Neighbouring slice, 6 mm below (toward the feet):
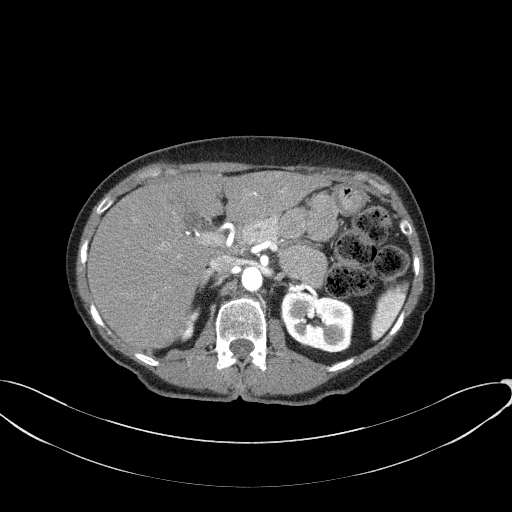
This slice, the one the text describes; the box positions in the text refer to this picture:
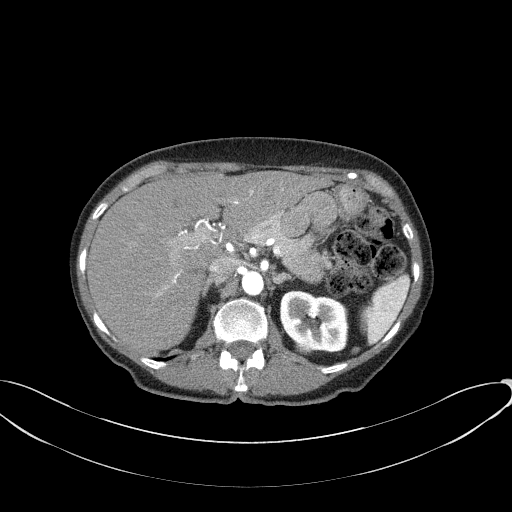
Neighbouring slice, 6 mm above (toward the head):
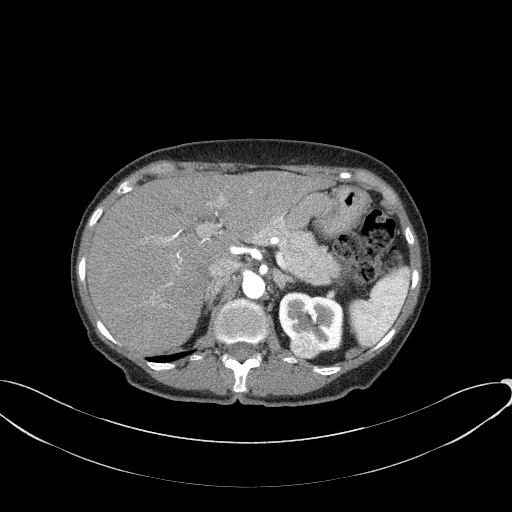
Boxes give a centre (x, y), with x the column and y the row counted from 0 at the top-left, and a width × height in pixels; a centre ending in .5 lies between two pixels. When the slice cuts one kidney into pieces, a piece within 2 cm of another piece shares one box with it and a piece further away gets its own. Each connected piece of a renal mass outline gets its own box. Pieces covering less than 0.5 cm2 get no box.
This is axial slice 46 of 77 (slice 1 is the lowest) of an arterial-phase abdominal CT with contrast; each pixel is 0.809 mm and the slice is 3.00 mm thick. One kidney box and one renal mass box on this slice; by box centre, from the image's left to its right: (1) Left renal mass, box centre (303.5, 347.5), 18 × 16 pixels (outlined area 214 px, about 1.4 cm2). (2) Left kidney in a box with centre (313.5, 321), 70 × 63 pixels (outlined area 3,382 px, about 22.1 cm2). This slice is near the end of the left renal mass toward the feet, so the slices 6 mm below and 6 mm above it are shown as well; the boxes refer to this slice only.
Acquired at 100 kVp and reconstructed with the B41f kernel.